One axial slice (359 of 705, counting up from the lowest) of an arterial-phase abdominal CT acquired with 120 kVp, kernel I30f; each pixel is 0.703 mm and the slice is 1.00 mm thick.
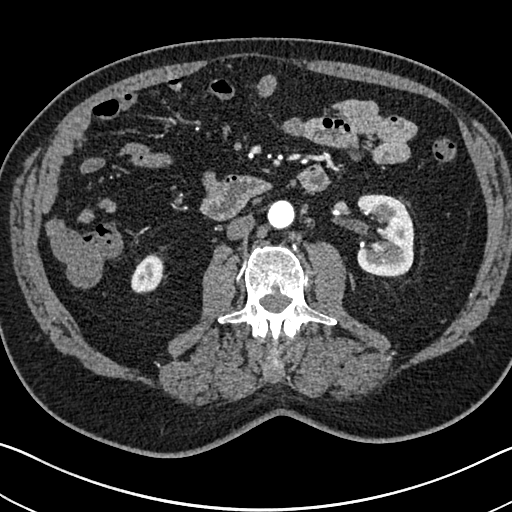
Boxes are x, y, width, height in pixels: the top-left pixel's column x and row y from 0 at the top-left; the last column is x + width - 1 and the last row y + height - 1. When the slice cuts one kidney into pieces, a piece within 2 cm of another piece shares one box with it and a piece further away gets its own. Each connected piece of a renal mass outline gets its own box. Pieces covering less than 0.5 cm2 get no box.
Two boxes on this slice (two kidney boxes), listed by box centre from the image's left to its right. (1) Right kidney at x 131, y 254, width 32, height 40 (outlined area 936 px, about 4.6 cm2). (2) Left kidney, box x 356, y 194, width 59, height 84 (outlined area 3,928 px, about 19.4 cm2). This slice carries no renal mass outline.